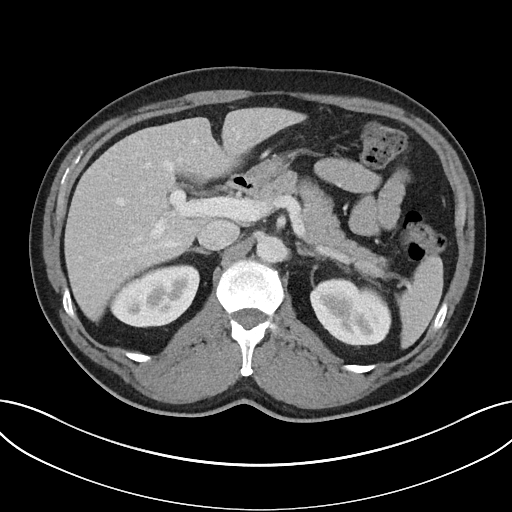
One axial slice (23 of 32, counting up from the lowest) of an arterial-phase abdominal CT acquired with 100 kVp, kernel I40f; each pixel is 0.779 mm and the slice is 5.00 mm thick.
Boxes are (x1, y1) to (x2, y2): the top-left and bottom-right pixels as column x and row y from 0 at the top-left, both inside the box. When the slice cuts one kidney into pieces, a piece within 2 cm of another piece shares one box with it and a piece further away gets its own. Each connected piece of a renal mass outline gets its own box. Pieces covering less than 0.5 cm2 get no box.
Boxed on this slice (two kidney boxes), listed by box centre from the image's left to its right: (1) Box (109, 264) to (199, 327): right kidney (outlined area 4,210 px, about 25.6 cm2). (2) Box (310, 278) to (391, 346): left kidney (outlined area 4,193 px, about 25.5 cm2). This slice carries no renal mass outline.